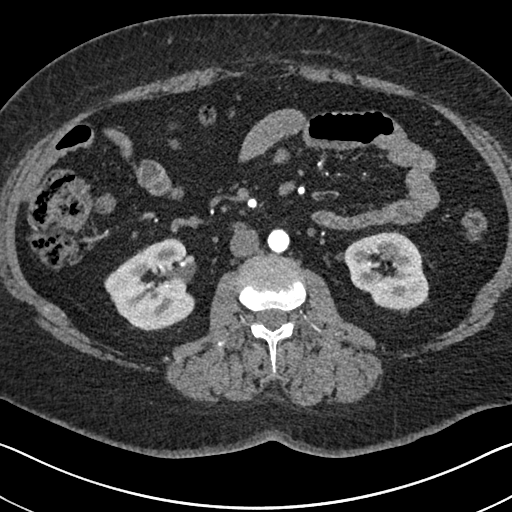
One axial slice (355 of 591, counting up from the lowest) of an arterial-phase abdominal CT acquired with 140 kVp, kernel I30f; each pixel is 0.703 mm and the slice is 1.00 mm thick.
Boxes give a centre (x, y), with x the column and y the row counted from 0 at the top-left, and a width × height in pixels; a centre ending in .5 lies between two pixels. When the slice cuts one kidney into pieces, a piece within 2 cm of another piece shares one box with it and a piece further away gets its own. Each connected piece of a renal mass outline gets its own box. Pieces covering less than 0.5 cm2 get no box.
Two boxes on this slice (two kidney boxes), listed by box centre from the image's left to its right. (1) Right kidney, box centre (150, 284.5), 91 × 94 pixels (outlined area 5,893 px, about 29.1 cm2). (2) Left kidney in a box with centre (386, 270.5), 85 × 78 pixels (outlined area 4,764 px, about 23.6 cm2). This slice carries no renal mass outline.